Arterial-phase contrast-enhanced abdominal CT, axial slice 214 of 389 (counted from the lowest slice); tube voltage 120 kVp, convolution kernel STANDARD; slices 1.25 mm thick, 0.869 mm per pixel.
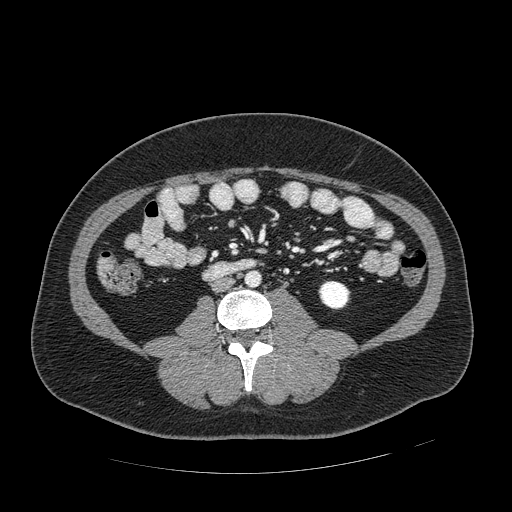
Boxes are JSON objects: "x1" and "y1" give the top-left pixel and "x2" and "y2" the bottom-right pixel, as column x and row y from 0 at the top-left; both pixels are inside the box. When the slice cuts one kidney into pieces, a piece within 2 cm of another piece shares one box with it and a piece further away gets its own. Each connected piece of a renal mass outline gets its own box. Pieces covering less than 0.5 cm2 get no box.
Box {"x1": 318, "y1": 280, "x2": 350, "y2": 309}: left kidney (outlined area 764 px, about 5.8 cm2). This slice carries no renal mass outline.